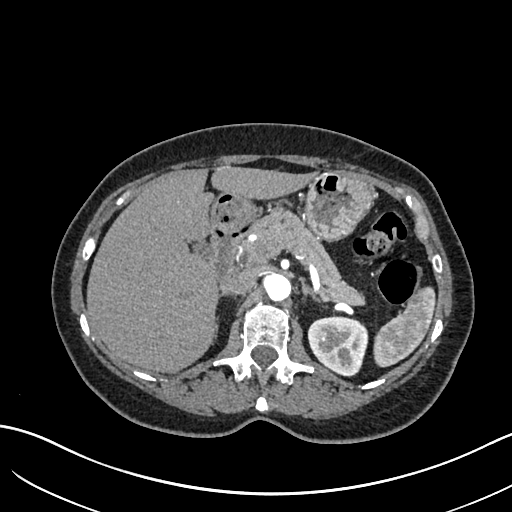
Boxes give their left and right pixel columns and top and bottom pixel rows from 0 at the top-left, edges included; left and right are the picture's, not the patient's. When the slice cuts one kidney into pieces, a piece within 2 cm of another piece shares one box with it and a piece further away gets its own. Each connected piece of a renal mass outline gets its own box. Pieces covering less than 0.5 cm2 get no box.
This is axial slice 444 of 683 (slice 1 is the lowest) of an arterial-phase abdominal CT with contrast; each pixel is 0.738 mm and the slice is 1.00 mm thick. Box with left 308, top 315, right 368, bottom 376: left kidney (outlined area 2,834 px, about 15.4 cm2). This slice carries no renal mass outline.
Scan settings: 120 kVp, I30f reconstruction kernel.